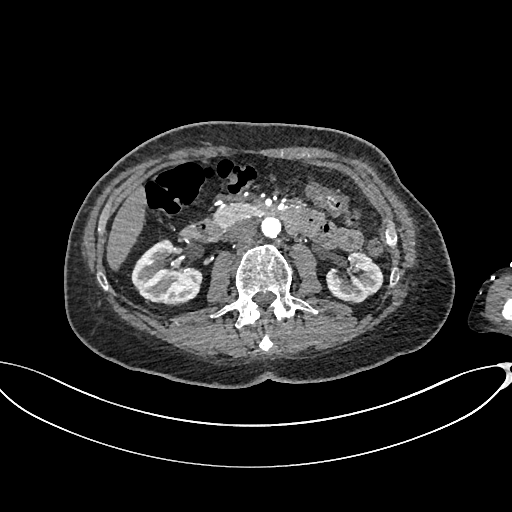
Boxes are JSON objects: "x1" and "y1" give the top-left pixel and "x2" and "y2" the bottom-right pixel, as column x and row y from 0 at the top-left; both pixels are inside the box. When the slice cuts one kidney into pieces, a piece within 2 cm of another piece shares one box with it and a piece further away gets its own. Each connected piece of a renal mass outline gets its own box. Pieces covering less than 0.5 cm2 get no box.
Arterial-phase contrast-enhanced abdominal CT, axial slice 376 of 665 (counted from the lowest slice); 1.00 mm thick, 0.828 mm per pixel. Boxed on this slice (two kidney boxes), listed by box centre from the image's left to its right: (1) Right kidney, box {"x1": 131, "y1": 239, "x2": 202, "y2": 305} (outlined area 3,373 px, about 23.1 cm2). (2) Left kidney at {"x1": 326, "y1": 253, "x2": 383, "y2": 303} (outlined area 2,107 px, about 14.4 cm2). No renal mass outline on this slice.
Scan settings: 100 kVp, I26f reconstruction kernel.